Abdominal CT with intravenous contrast, axial plane, 100 kVp, kernel I41f. Slice 38/143 from the bottom of the scan; thickness 5.00 mm; pixel size 0.734 mm.
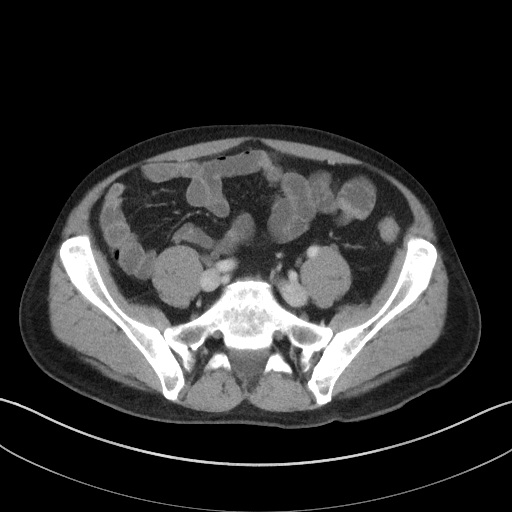
This slice carries no outline: it lies beyond the outlined kidneys and beyond every outlined renal mass. Other organs are not outlined in this scan.